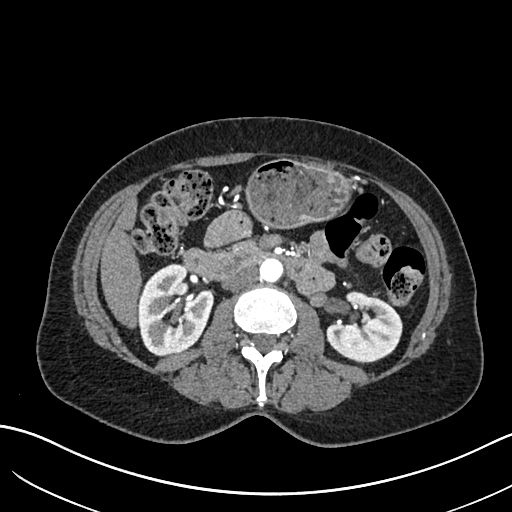
Abdominal CT with intravenous contrast, arterial phase, axial plane, 120 kVp, kernel I30f. Slice 357/683 from the bottom of the scan; thickness 1.00 mm; pixel size 0.738 mm.
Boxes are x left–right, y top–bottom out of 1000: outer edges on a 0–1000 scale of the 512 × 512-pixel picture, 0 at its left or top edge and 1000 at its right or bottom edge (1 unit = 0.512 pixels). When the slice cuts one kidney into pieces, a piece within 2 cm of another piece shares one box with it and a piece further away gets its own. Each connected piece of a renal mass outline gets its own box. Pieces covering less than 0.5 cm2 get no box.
Two boxes on this slice (two kidney boxes), listed by box centre from the image's left to its right. (1) Right kidney at x 268–418, y 514–695 out of 1000 (outlined area 5,268 px, about 28.7 cm2). (2) Left kidney, box x 635–787, y 568–707 out of 1000 (outlined area 3,729 px, about 20.3 cm2). No renal mass outline on this slice.